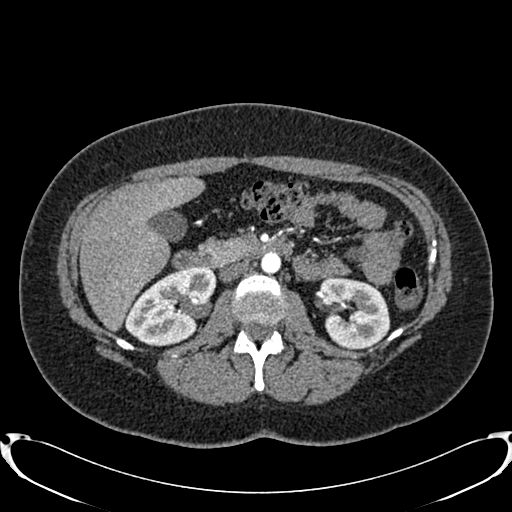
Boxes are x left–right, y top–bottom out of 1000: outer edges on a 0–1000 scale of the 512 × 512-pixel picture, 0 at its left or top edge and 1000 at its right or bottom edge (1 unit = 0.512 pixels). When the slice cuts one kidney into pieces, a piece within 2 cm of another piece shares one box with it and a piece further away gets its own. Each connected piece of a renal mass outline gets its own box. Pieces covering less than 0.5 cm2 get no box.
This is axial slice 463 of 719 (slice 1 is the lowest) of an arterial-phase abdominal CT with contrast; each pixel is 0.766 mm and the slice is 1.00 mm thick. Boxed on this slice (two kidney boxes), listed by box centre from the image's left to its right: (1) Right kidney, box x 244–422, y 520–678 out of 1000 (outlined area 4,982 px, about 29.2 cm2). (2) Left kidney at x 619–764, y 541–684 out of 1000 (outlined area 4,024 px, about 23.6 cm2). This slice carries no renal mass outline.
Scan settings: 120 kVp, B20f reconstruction kernel.